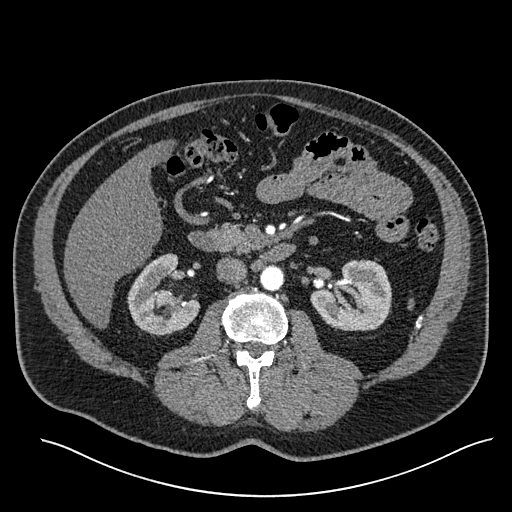
Arterial-phase contrast-enhanced abdominal CT, axial slice 322 of 527 (counted from the lowest slice); tube voltage 120 kVp, convolution kernel I30f; slices 1.00 mm thick, 0.859 mm per pixel.
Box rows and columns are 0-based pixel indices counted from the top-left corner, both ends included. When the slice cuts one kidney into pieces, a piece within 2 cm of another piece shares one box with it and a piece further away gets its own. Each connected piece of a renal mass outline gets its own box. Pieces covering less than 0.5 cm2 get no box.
Boxed on this slice (two kidney boxes and one renal mass box), listed by box centre from the image's left to its right: (1) Right kidney, box rows 253–336, columns 127–200 (outlined area 3,512 px, about 25.9 cm2). (2) Right renal mass at rows 288–306, columns 155–173 (outlined area 288 px, about 2.1 cm2). (3) Left kidney, box rows 259–331, columns 310–391 (outlined area 4,350 px, about 32.1 cm2).